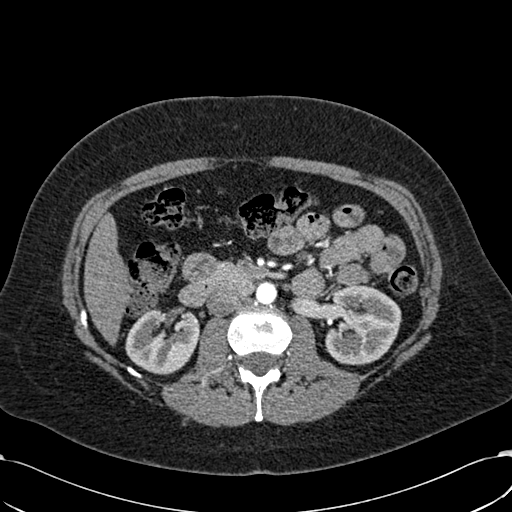
Abdominal CT with intravenous contrast, arterial phase, axial plane, 120 kVp, kernel B30f. Slice 340/532 from the bottom of the scan; thickness 1.00 mm; pixel size 0.713 mm.
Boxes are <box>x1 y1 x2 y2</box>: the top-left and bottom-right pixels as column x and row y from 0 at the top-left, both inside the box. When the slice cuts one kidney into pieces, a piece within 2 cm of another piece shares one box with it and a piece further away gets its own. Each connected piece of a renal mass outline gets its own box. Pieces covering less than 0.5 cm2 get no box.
Boxed on this slice (two kidney boxes), listed by box centre from the image's left to its right: (1) Right kidney at <box>125 306 200 374</box> (outlined area 3,745 px, about 19.0 cm2). (2) Left kidney at <box>325 285 401 365</box> (outlined area 4,890 px, about 24.9 cm2). No renal mass outline on this slice.